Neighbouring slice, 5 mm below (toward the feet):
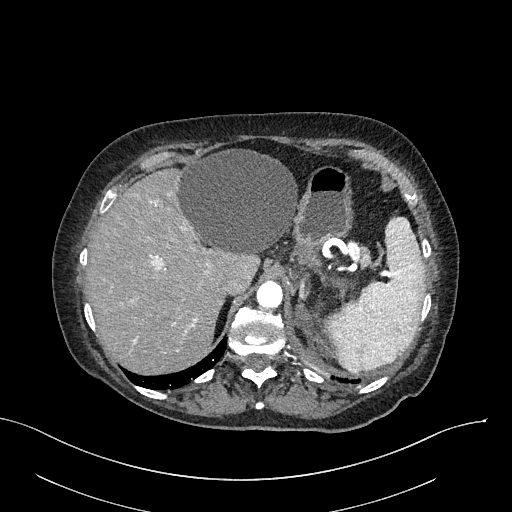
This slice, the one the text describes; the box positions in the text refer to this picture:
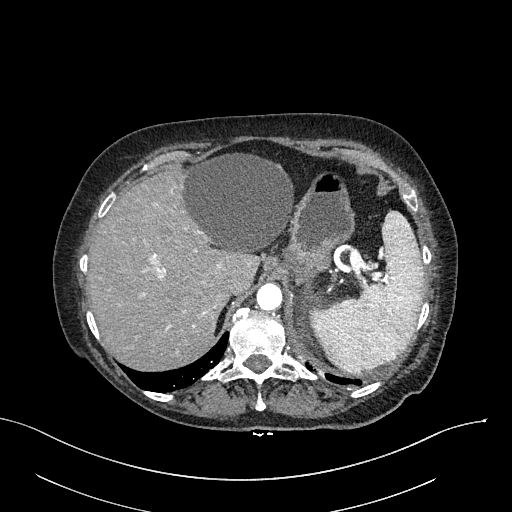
Abdominal CT with intravenous contrast, arterial phase, axial plane, 100 kVp, kernel I40f. Slice 223/316 from the bottom of the scan; thickness 2.00 mm; pixel size 0.840 mm.
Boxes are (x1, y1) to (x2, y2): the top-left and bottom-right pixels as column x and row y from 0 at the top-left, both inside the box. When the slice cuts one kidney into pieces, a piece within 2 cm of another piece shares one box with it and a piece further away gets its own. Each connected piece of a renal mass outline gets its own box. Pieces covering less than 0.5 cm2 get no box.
Left renal mass from (300, 312) to (309, 333) (outlined area 154 px, about 1.1 cm2); no kidney outline appears on this slice, but the same outlined renal mass comes within 1 cm of the kidney on another slice. This slice lies near the end of the left renal mass toward the head; the slice 5 mm below it is shown too, and the boxes mark positions on this slice only.